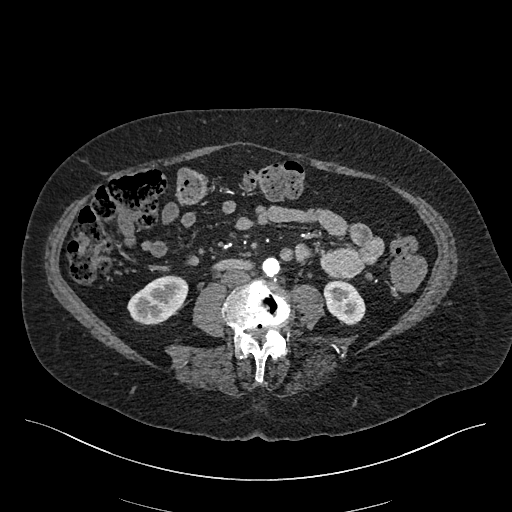
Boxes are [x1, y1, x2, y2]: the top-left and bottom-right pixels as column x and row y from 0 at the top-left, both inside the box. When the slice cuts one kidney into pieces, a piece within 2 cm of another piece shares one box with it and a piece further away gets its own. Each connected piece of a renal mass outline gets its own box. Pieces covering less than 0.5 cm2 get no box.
Arterial-phase contrast-enhanced abdominal CT, axial slice 169 of 548 (counted from the lowest slice); 1.00 mm thick, 0.852 mm per pixel. Two kidney boxes on this slice; by box centre, from the image's left to its right: (1) Right kidney at [127, 275, 188, 324] (outlined area 2,137 px, about 15.5 cm2). (2) Left kidney at [323, 279, 365, 325] (outlined area 1,430 px, about 10.4 cm2). This slice carries no renal mass outline.
Tube voltage 120 kVp; convolution kernel I26f.